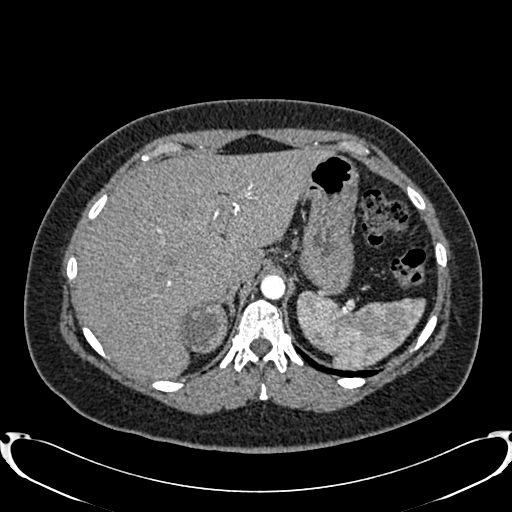
Arterial-phase contrast-enhanced abdominal CT, axial slice 628 of 719 (counted from the lowest slice); tube voltage 120 kVp, convolution kernel B20f; slices 1.00 mm thick, 0.766 mm per pixel.
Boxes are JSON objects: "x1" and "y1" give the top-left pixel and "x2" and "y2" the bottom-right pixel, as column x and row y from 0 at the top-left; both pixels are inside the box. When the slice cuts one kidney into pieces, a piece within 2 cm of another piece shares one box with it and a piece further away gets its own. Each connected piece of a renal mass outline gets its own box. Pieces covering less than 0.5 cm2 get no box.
Box {"x1": 181, "y1": 301, "x2": 228, "y2": 353}: right renal mass (outlined area 1,944 px, about 11.4 cm2); no kidney outline appears on this slice, but the same outlined renal mass comes within 1 cm of the kidney on another slice.